Abdominal CT with intravenous contrast, arterial phase, axial plane, 120 kVp, kernel B20f. Slice 525/719 from the bottom of the scan; thickness 1.00 mm; pixel size 0.766 mm.
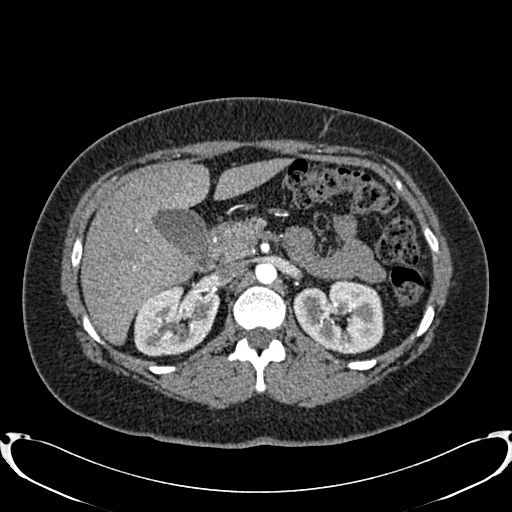
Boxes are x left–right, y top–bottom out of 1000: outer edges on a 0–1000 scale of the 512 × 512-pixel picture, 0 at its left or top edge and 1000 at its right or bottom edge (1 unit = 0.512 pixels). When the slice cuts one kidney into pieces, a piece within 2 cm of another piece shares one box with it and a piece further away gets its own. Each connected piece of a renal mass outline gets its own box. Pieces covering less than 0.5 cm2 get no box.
Two kidney boxes on this slice; by box centre, from the image's left to its right: (1) Right kidney at x 262–430, y 555–697 out of 1000 (outlined area 4,720 px, about 27.7 cm2). (2) Left kidney at x 570–752, y 543–693 out of 1000 (outlined area 5,206 px, about 30.5 cm2). No renal mass outline on this slice.